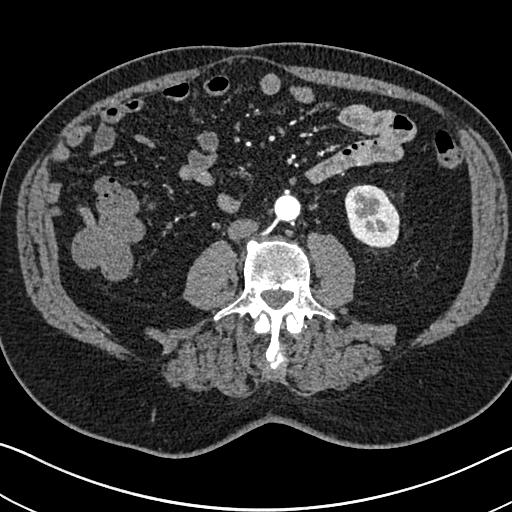
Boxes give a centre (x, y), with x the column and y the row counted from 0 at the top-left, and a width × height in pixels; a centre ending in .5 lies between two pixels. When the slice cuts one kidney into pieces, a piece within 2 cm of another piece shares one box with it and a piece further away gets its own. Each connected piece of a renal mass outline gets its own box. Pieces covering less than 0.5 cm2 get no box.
Arterial-phase contrast-enhanced abdominal CT, axial slice 299 of 705 (counted from the lowest slice); 1.00 mm thick, 0.703 mm per pixel. Left kidney in a box with centre (371.5, 216), 56 × 65 pixels (outlined area 2,780 px, about 13.7 cm2). No renal mass outline on this slice.
Tube voltage 120 kVp; convolution kernel I30f.